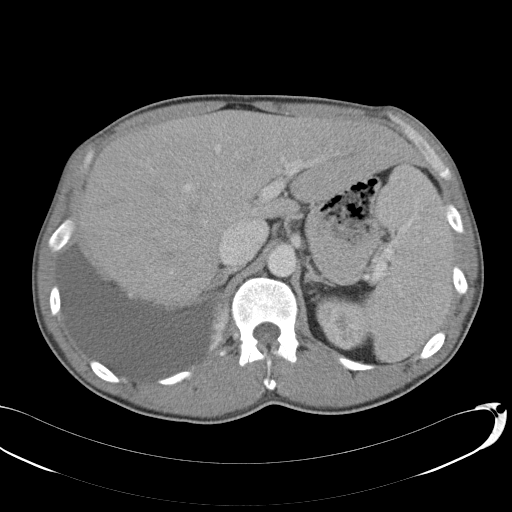
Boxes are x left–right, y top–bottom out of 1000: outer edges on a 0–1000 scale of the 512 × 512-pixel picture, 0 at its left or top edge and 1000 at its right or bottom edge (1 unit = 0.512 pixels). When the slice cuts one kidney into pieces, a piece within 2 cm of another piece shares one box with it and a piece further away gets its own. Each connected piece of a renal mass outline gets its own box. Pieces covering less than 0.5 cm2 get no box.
This is axial slice 78 of 146 (slice 1 is the lowest) of an abdominal CT with contrast; each pixel is 0.742 mm and the slice is 5.00 mm thick. Box x 615–725, y 578–686 out of 1000: left kidney (outlined area 2,323 px, about 12.8 cm2). This slice carries no renal mass outline.
Acquired at 120 kVp and reconstructed with the B31f kernel.